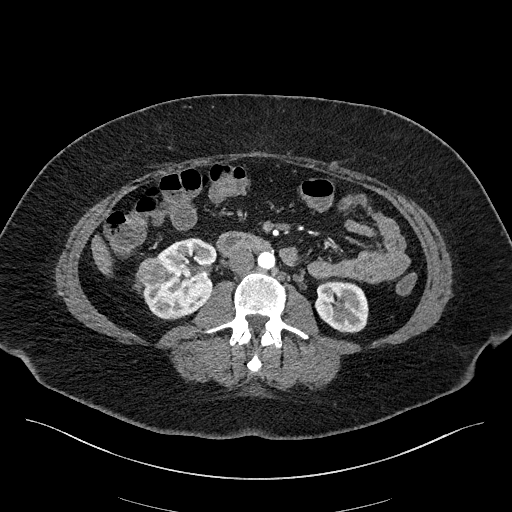
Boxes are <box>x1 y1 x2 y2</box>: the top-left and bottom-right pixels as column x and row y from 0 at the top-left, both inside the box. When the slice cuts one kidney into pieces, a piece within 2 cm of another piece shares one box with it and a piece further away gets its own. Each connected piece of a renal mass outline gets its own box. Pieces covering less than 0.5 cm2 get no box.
Slice 81/270 of a contrast-enhanced abdominal CT in the arterial phase, counting up from the lowest; pixel size 0.855 mm, slice thickness 2.00 mm. Boxed on this slice (two kidney boxes and one renal mass box), listed by box centre from the image's left to its right: (1) Right renal mass at <box>135 257 166 285</box> (outlined area 683 px, about 5.0 cm2). (2) Right kidney at <box>143 238 217 319</box> (outlined area 4,085 px, about 29.9 cm2). (3) Left kidney: <box>315 280 368 332</box> (outlined area 2,279 px, about 16.7 cm2).
Scan settings: 100 kVp, I40f reconstruction kernel.